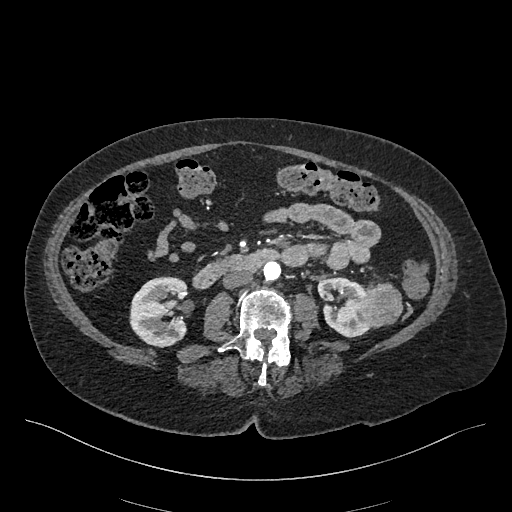
Arterial-phase contrast-enhanced abdominal CT, axial slice 213 of 548 (counted from the lowest slice); tube voltage 120 kVp, convolution kernel I26f; slices 1.00 mm thick, 0.852 mm per pixel.
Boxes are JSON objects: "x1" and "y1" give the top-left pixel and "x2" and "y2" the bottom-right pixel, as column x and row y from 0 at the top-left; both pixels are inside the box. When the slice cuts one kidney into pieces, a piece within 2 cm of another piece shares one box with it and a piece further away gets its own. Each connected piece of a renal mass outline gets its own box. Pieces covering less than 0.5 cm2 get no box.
Three boxes on this slice (two kidney boxes and one renal mass box), listed by box centre from the image's left to its right. (1) Right kidney at {"x1": 129, "y1": 276, "x2": 188, "y2": 347} (outlined area 3,393 px, about 24.6 cm2). (2) Left kidney, box {"x1": 317, "y1": 277, "x2": 369, "y2": 337} (outlined area 2,240 px, about 16.2 cm2). (3) Box {"x1": 360, "y1": 282, "x2": 403, "y2": 328}: left renal mass (outlined area 1,546 px, about 11.2 cm2).